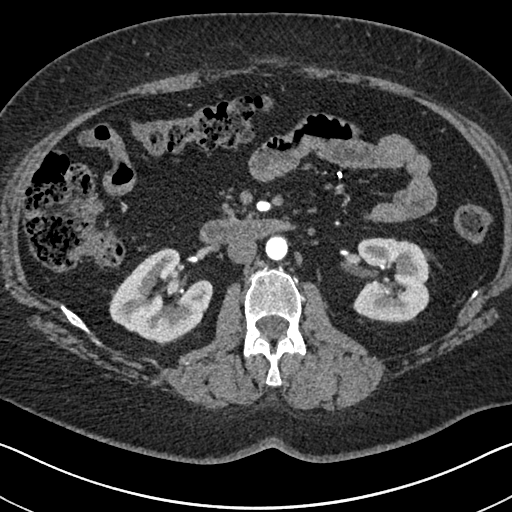
One axial slice (385 of 591, counting up from the lowest) of an arterial-phase abdominal CT acquired with 140 kVp, kernel I30f; each pixel is 0.703 mm and the slice is 1.00 mm thick.
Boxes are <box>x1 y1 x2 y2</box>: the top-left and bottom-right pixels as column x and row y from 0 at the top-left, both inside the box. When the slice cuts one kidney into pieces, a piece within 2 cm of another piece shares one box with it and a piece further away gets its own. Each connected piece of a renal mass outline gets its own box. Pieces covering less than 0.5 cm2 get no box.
Two boxes on this slice (two kidney boxes), listed by box centre from the image's left to its right. (1) Right kidney at <box>109 248 212 341</box> (outlined area 6,308 px, about 31.2 cm2). (2) Left kidney: <box>353 237 429 322</box> (outlined area 5,387 px, about 26.6 cm2). This slice carries no renal mass outline.